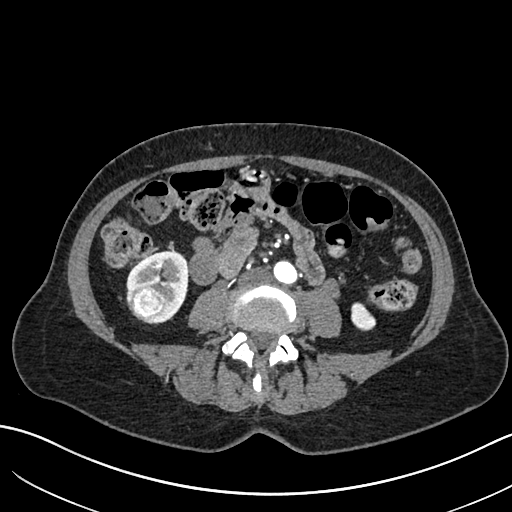
Abdominal CT with intravenous contrast, arterial phase, axial plane, 120 kVp, kernel I30f. Slice 281/683 from the bottom of the scan; thickness 1.00 mm; pixel size 0.738 mm.
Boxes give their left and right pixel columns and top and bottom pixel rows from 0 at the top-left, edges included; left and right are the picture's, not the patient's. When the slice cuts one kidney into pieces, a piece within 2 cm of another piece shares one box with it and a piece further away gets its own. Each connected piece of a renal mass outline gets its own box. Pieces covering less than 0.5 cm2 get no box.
Two kidney boxes and one renal mass box on this slice; by box centre, from the image's left to its right: (1) Right renal mass in the box with left 127, top 285, right 168, bottom 322 (outlined area 1,173 px, about 6.4 cm2). (2) Box with left 126, top 250, right 188, bottom 322: right kidney (outlined area 2,513 px, about 13.7 cm2). (3) Box with left 351, top 302, right 376, bottom 330: left kidney (outlined area 530 px, about 2.9 cm2).